Axial slice 454 of 719 of a contrast-enhanced abdominal CT in the arterial phase (slice 1 is the lowest), 120 kVp, kernel B20f; 1.00 mm slice thickness and 0.766 mm pixels.
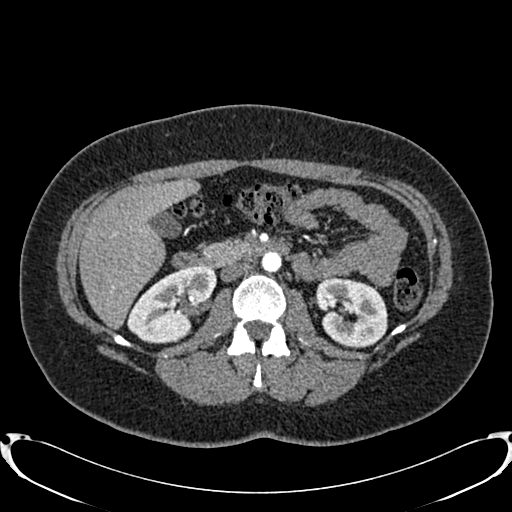
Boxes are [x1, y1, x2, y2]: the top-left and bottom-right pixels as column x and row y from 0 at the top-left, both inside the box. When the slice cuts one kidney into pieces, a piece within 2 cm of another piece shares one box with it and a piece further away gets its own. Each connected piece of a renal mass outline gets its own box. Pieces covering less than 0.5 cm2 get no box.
Two kidney boxes on this slice; by box centre, from the image's left to its right: (1) Right kidney, box [127, 265, 216, 343] (outlined area 4,633 px, about 27.2 cm2). (2) Left kidney at [315, 277, 387, 348] (outlined area 3,952 px, about 23.2 cm2). No renal mass outline on this slice.